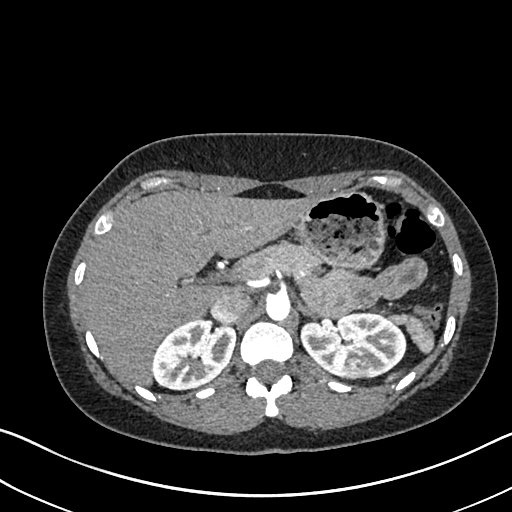
One axial slice (486 of 612, counting up from the lowest) of an arterial-phase abdominal CT acquired with 120 kVp, kernel I30f; each pixel is 0.703 mm and the slice is 1.00 mm thick.
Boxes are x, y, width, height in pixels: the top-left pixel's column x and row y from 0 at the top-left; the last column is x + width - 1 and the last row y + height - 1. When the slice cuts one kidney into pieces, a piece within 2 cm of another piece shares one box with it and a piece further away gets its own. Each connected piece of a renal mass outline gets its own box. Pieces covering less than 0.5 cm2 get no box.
Two kidney boxes and one renal mass box on this slice; by box centre, from the image's left to its right: (1) Right kidney at x 151, y 318, width 85, height 72 (outlined area 4,526 px, about 22.4 cm2). (2) Left kidney, box x 300, y 311, width 107, height 69 (outlined area 5,215 px, about 25.8 cm2). (3) Box x 347, y 357, width 22, height 22: left renal mass (outlined area 385 px, about 1.9 cm2).